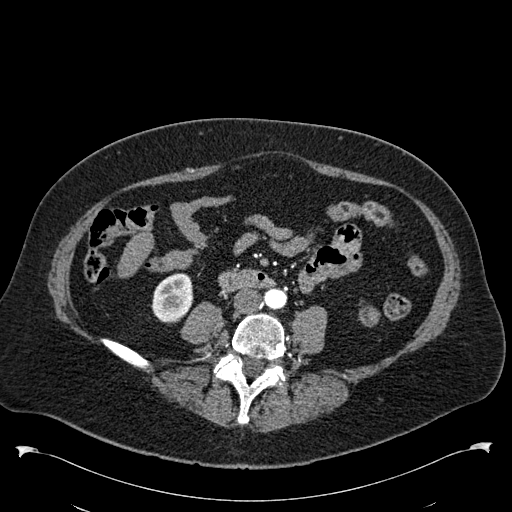
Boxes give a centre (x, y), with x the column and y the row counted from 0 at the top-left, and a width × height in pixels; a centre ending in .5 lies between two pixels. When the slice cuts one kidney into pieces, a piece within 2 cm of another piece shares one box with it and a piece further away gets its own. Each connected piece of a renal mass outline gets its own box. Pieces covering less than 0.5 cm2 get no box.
Arterial-phase contrast-enhanced abdominal CT, axial slice 213 of 538 (counted from the lowest slice); 1.00 mm thick, 0.811 mm per pixel. Boxed on this slice (one kidney box and one renal mass box), listed by box centre from the image's left to its right: (1) Box centre (172, 298), 43 × 51 pixels: right kidney (outlined area 1,661 px, about 10.9 cm2). (2) Left renal mass, box centre (369.5, 316), 22 × 21 pixels (outlined area 345 px, about 2.3 cm2); here it is more than 1 cm from any kidney outline, though on another slice the same outlined renal mass lies within 1 cm of the kidney.
Acquired at 120 kVp and reconstructed with the B30f kernel.